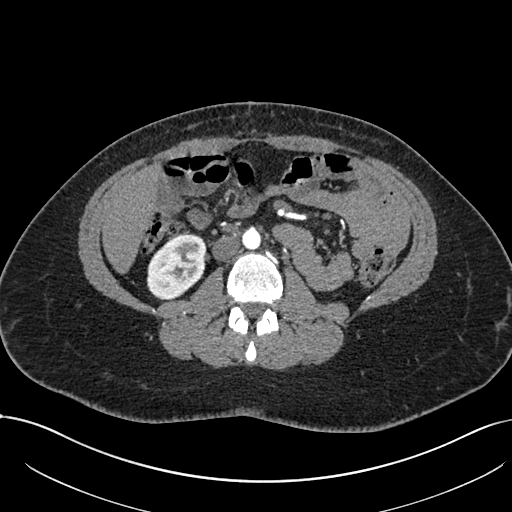
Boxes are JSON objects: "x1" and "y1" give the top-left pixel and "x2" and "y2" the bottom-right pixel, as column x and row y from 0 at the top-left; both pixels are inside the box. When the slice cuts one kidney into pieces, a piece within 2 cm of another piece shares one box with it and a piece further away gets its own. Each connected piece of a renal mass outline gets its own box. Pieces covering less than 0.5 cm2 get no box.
Arterial-phase contrast-enhanced abdominal CT, axial slice 358 of 738 (counted from the lowest slice); 1.00 mm thick, 0.789 mm per pixel. Right kidney at {"x1": 146, "y1": 234, "x2": 206, "y2": 299} (outlined area 2,960 px, about 18.4 cm2). This slice carries no renal mass outline.
Tube voltage 120 kVp; convolution kernel I30f.